One axial slice (2 of 94, counting up from the lowest) of a contrast-enhanced abdominal CT acquired with 120 kVp, kernel B41f; each pixel is 0.977 mm and the slice is 3.00 mm thick.
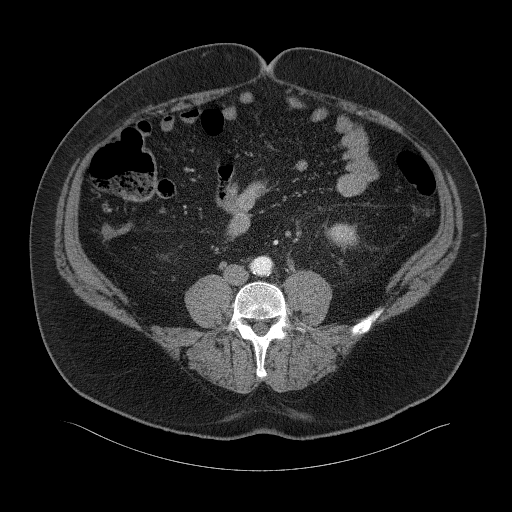
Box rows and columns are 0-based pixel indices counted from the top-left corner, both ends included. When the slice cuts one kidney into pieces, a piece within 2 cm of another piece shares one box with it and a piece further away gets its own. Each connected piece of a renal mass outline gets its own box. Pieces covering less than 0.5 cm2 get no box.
Left kidney, box rows 224–246, columns 329–358 (outlined area 533 px, about 5.1 cm2). This slice carries no renal mass outline.